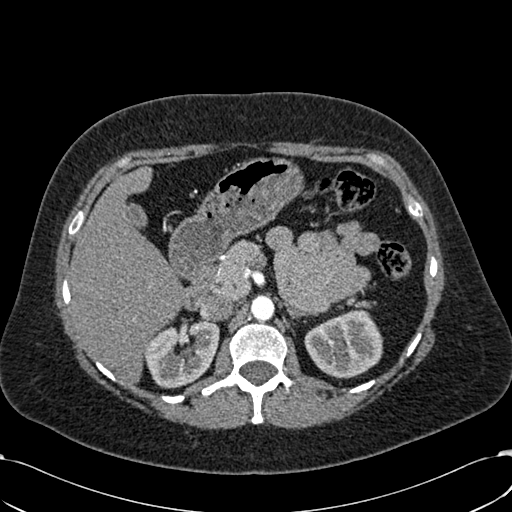
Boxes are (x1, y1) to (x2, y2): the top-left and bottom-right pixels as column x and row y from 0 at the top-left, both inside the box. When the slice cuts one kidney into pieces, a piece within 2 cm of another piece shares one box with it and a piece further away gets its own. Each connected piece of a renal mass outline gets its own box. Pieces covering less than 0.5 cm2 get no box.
This is axial slice 412 of 532 (slice 1 is the lowest) of an arterial-phase abdominal CT with contrast; each pixel is 0.713 mm and the slice is 1.00 mm thick. Boxed on this slice (two kidney boxes), listed by box centre from the image's left to its right: (1) Right kidney from (145, 319) to (219, 388) (outlined area 3,745 px, about 19.0 cm2). (2) Box (304, 309) to (382, 378): left kidney (outlined area 4,006 px, about 20.4 cm2). This slice carries no renal mass outline.
Scan settings: 120 kVp, B30f reconstruction kernel.